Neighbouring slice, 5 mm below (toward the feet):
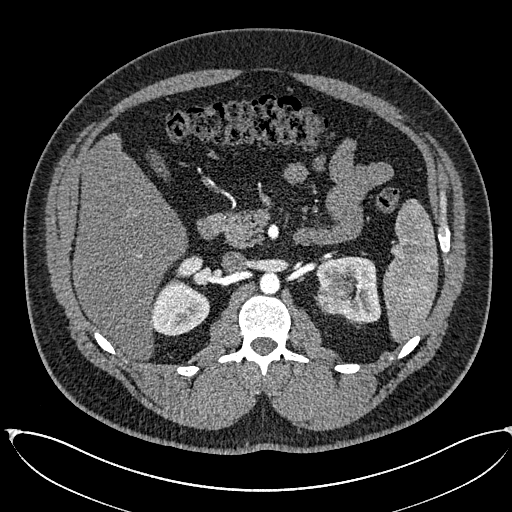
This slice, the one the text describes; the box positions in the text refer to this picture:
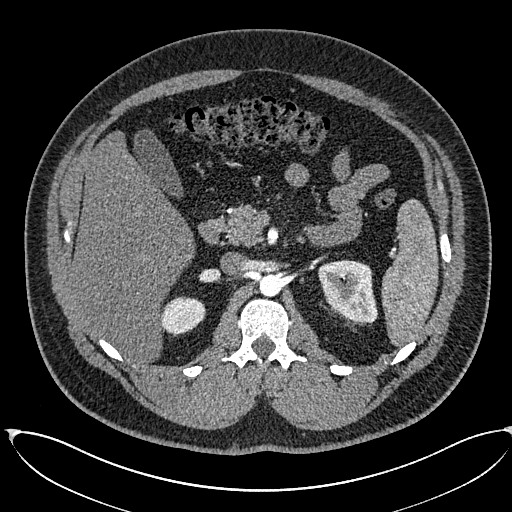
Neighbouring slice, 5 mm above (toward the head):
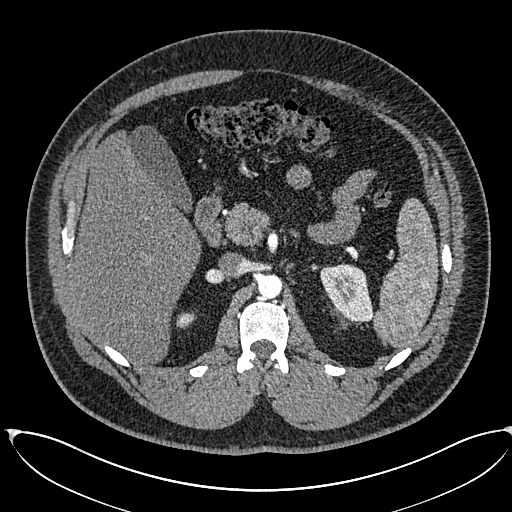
Abdominal CT with intravenous contrast, arterial phase, axial plane, 120 kVp, kernel I30f. Slice 398/673 from the bottom of the scan; thickness 1.00 mm; pixel size 0.855 mm.
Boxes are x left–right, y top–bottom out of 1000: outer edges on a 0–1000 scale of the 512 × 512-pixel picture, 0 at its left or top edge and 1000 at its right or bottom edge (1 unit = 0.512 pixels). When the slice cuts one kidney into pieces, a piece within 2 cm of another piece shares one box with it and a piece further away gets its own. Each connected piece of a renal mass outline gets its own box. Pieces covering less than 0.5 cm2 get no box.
Two kidney boxes and one renal mass box on this slice; by box centre, from the image's left to its right: (1) Box x 314–402, y 578–654 out of 1000: right kidney (outlined area 1,337 px, about 9.8 cm2). (2) Left renal mass, box x 635–662, y 578–605 out of 1000 (outlined area 130 px, about 1.0 cm2). (3) Left kidney, box x 621–738, y 506–633 out of 1000 (outlined area 2,744 px, about 20.1 cm2). This slice lies near the end of the left renal mass toward the head; the slices 5 mm below and 5 mm above it are shown too, and the boxes mark positions on this slice only.